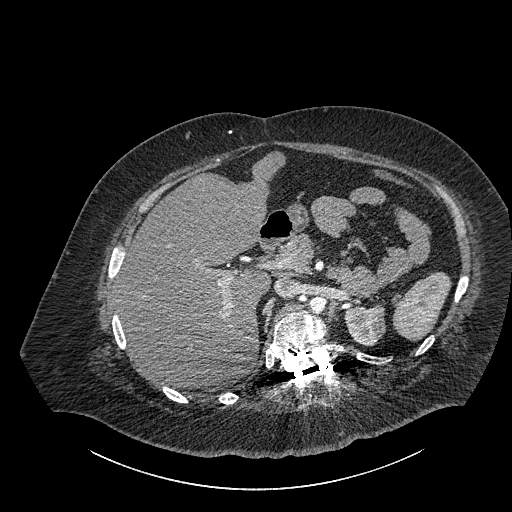
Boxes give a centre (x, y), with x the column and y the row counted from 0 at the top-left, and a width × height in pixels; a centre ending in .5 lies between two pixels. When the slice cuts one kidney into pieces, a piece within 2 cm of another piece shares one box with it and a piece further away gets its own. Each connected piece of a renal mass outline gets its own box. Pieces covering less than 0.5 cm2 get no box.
Slice 622/834 of a contrast-enhanced abdominal CT, counting up from the lowest; pixel size 0.977 mm, slice thickness 1.00 mm. Box centre (365, 325), 43 × 43 pixels: left part of the midline-crossing kidney (outlined area 1,380 px, about 13.2 cm2). This slice carries no renal mass outline.
Acquired at 140 kVp and reconstructed with the I30f kernel.